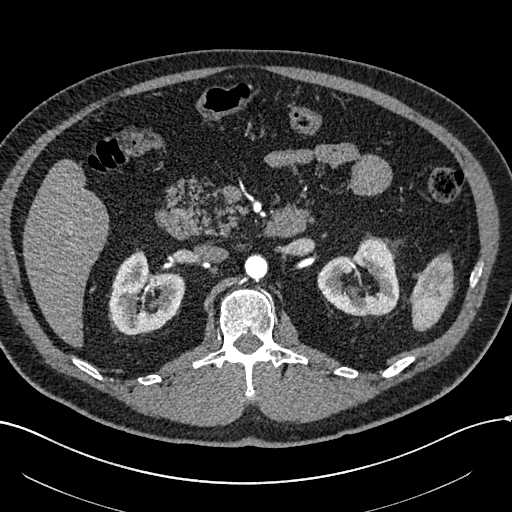
One axial slice (368 of 602, counting up from the lowest) of an arterial-phase abdominal CT acquired with 120 kVp, kernel I30f; each pixel is 0.799 mm and the slice is 1.00 mm thick.
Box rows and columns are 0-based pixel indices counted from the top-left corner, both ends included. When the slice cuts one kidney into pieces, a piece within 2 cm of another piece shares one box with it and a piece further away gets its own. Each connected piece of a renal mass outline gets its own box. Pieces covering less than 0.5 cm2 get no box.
Two kidney boxes on this slice; by box centre, from the image's left to its right: (1) Box rows 250–334, columns 109–184: right kidney (outlined area 4,449 px, about 28.4 cm2). (2) Box rows 238–316, columns 317–399: left kidney (outlined area 4,323 px, about 27.6 cm2). This slice carries no renal mass outline.